Abdominal CT with intravenous contrast, arterial phase, axial plane, 120 kVp, kernel I30f. Slice 402/673 from the bottom of the scan; thickness 1.00 mm; pixel size 0.855 mm.
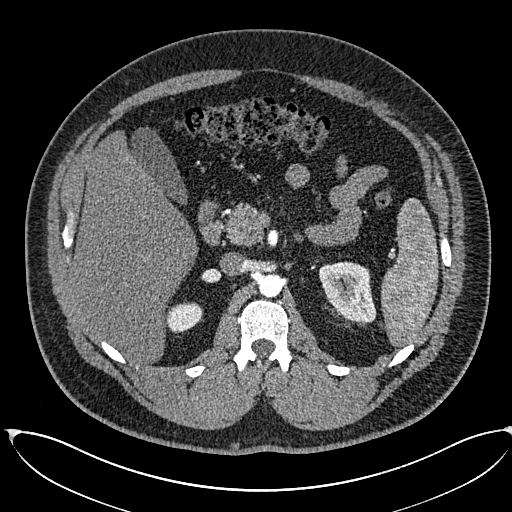
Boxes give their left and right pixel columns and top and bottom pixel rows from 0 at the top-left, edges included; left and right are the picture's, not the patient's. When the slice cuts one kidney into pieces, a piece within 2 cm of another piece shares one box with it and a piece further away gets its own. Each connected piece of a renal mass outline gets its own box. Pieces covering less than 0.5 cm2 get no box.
Boxed on this slice (two kidney boxes), listed by box centre from the image's left to its right: (1) Box with left 166, top 302, right 202, bottom 333: right kidney (outlined area 896 px, about 6.6 cm2). (2) Box with left 319, top 262, right 376, bottom 322: left kidney (outlined area 2,588 px, about 18.9 cm2). No renal mass outline on this slice.